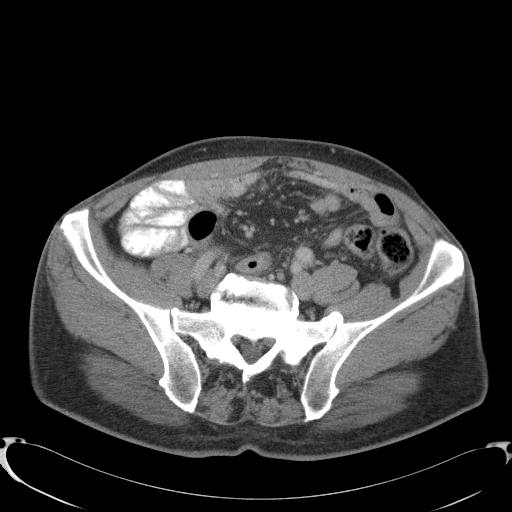
One axial slice (37 of 91, counting up from the lowest) of a contrast-enhanced abdominal CT acquired with 120 kVp, kernel B41f; each pixel is 0.762 mm and the slice is 5.00 mm thick.
No kidney and no renal mass is outlined on this slice; the outlines in this scan cover only the kidneys and the renal masses, so nothing is said about any other organ.